One axial slice (26 of 113, counting up from the lowest) of a contrast-enhanced abdominal CT acquired with 120 kVp, kernel B31f; each pixel is 0.742 mm and the slice is 2.00 mm thick.
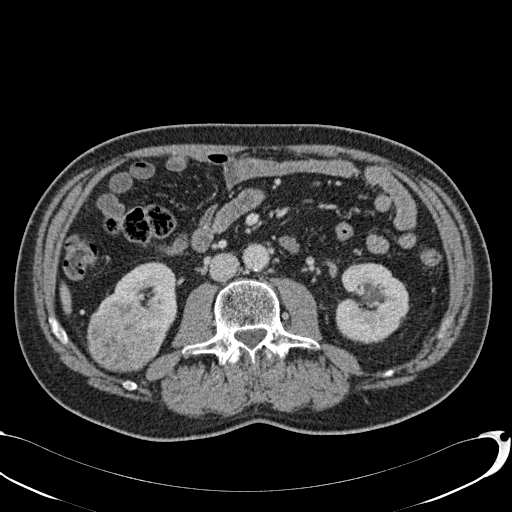
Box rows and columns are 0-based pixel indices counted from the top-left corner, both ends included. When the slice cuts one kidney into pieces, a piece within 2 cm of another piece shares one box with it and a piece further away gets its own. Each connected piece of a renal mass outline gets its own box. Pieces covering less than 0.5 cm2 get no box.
Three boxes on this slice (two kidney boxes and one renal mass box), listed by box centre from the image's left to its right. (1) Right renal mass at rows 301–372, columns 86–160 (outlined area 4,298 px, about 23.7 cm2). (2) Right kidney, box rows 261–347, columns 100–177 (outlined area 2,899 px, about 16.0 cm2). (3) Box rows 263–342, columns 335–409: left kidney (outlined area 4,614 px, about 25.4 cm2).